Axial slice 318 of 738 of a contrast-enhanced abdominal CT in the arterial phase (slice 1 is the lowest), 120 kVp, kernel I30f; 1.00 mm slice thickness and 0.789 mm pixels.
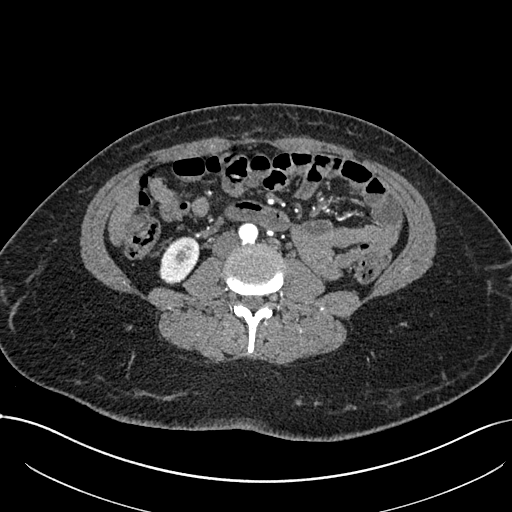
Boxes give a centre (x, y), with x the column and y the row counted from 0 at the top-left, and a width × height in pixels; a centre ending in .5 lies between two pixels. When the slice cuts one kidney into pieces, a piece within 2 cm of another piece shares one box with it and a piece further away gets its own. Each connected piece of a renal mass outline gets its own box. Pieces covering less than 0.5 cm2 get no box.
Right kidney, box centre (178.5, 260), 42 × 49 pixels (outlined area 1,440 px, about 9.0 cm2). No renal mass outline on this slice.